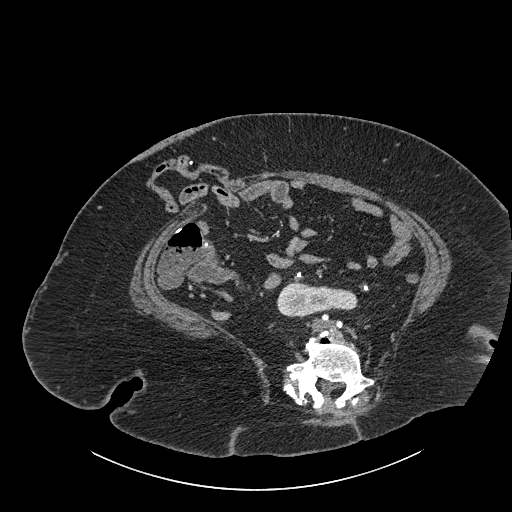
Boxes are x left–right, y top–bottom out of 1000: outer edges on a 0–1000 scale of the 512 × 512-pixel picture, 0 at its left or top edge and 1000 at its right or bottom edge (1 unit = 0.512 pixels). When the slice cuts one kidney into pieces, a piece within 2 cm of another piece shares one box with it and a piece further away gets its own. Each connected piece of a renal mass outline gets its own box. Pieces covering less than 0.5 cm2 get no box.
Contrast-enhanced abdominal CT, axial slice 406 of 834 (counted from the lowest slice); 1.00 mm thick, 0.977 mm per pixel. Kidney crossing the body midline at x 539–701, y 553–623 out of 1000 (outlined area 2,115 px, about 20.2 cm2). No renal mass outline on this slice.
Scan settings: 140 kVp, I30f reconstruction kernel.